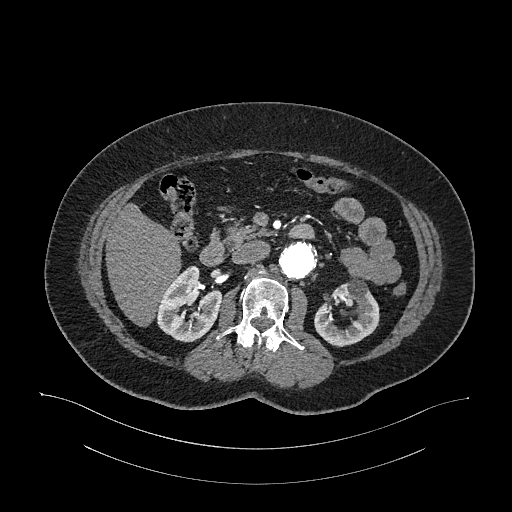
Abdominal CT with intravenous contrast, arterial phase, axial plane, 120 kVp, kernel I26f. Slice 656/987 from the bottom of the scan; thickness 1.00 mm; pixel size 0.977 mm.
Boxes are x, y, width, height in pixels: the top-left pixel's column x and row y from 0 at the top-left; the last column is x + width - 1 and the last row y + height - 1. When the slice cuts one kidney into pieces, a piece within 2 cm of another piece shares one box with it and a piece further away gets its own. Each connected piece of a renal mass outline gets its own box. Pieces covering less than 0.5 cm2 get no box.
Two boxes on this slice (two kidney boxes), listed by box centre from the image's left to its right. (1) Right kidney at x 155, y 265, width 67, height 77 (outlined area 3,348 px, about 31.9 cm2). (2) Left kidney at x 313, y 279, width 67, height 68 (outlined area 2,888 px, about 27.5 cm2). This slice carries no renal mass outline.